Abdominal CT with intravenous contrast, arterial phase, axial plane, 120 kVp, kernel B30f. Slice 4/52 from the bottom of the scan; thickness 3.00 mm; pixel size 0.678 mm.
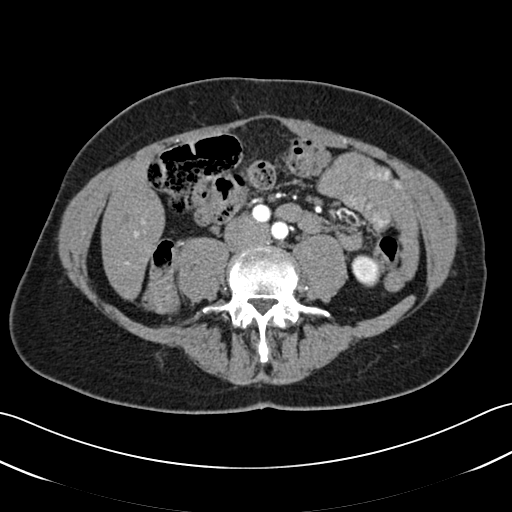
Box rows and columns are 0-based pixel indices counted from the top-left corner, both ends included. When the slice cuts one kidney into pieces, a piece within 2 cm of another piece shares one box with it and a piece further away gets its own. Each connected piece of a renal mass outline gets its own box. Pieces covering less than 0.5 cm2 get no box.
Box rows 254–286, columns 351–380: left kidney (outlined area 749 px, about 3.4 cm2). No renal mass is outlined on this slice.